Axial slice 49 of 103 of a contrast-enhanced abdominal CT (slice 1 is the lowest), 120 kVp, kernel STANDARD; 2.50 mm slice thickness and 0.820 mm pixels.
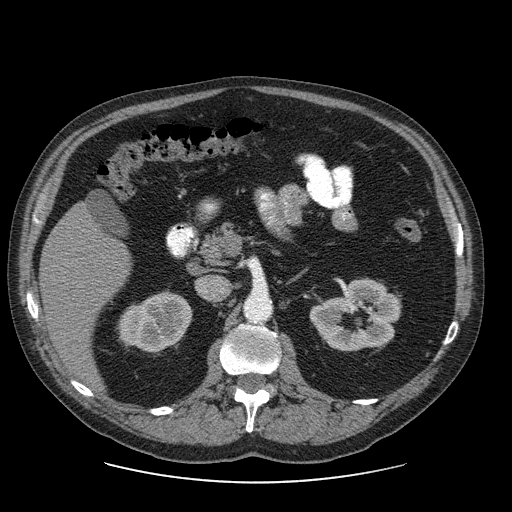
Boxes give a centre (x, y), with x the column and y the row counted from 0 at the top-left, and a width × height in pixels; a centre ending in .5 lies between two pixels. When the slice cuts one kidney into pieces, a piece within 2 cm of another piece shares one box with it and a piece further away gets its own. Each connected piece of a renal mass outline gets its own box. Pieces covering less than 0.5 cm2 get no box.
Two boxes on this slice (two kidney boxes), listed by box centre from the image's left to its right. (1) Right kidney, box centre (154.5, 321.5), 76 × 62 pixels (outlined area 3,324 px, about 22.4 cm2). (2) Left kidney in a box with centre (354.5, 314.5), 92 × 74 pixels (outlined area 4,441 px, about 29.9 cm2). No renal mass outline on this slice.